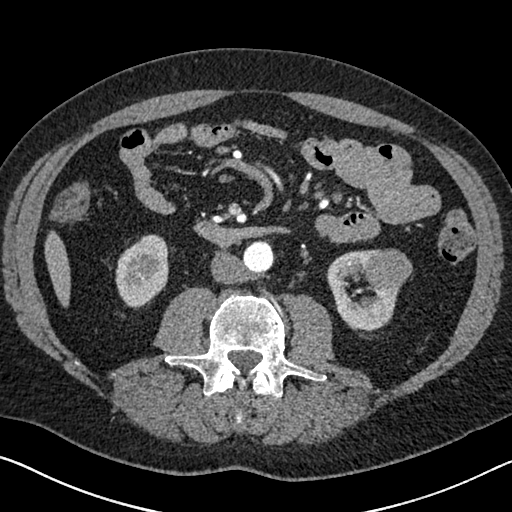
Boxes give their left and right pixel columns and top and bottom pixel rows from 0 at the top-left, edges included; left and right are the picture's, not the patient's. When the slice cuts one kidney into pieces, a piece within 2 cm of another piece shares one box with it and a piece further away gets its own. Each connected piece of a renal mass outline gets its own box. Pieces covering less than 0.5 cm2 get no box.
Arterial-phase contrast-enhanced abdominal CT, axial slice 319 of 626 (counted from the lowest slice); 1.00 mm thick, 0.703 mm per pixel. Two kidney boxes and one renal mass box on this slice; by box centre, from the image's left to its right: (1) Right kidney in the box with left 115, top 234, right 168, bottom 308 (outlined area 3,002 px, about 14.8 cm2). (2) Left kidney, the box with left 326, top 249, right 399, bottom 331 (outlined area 3,340 px, about 16.5 cm2). (3) Left renal mass, the box with left 365, top 248, right 412, bottom 290 (outlined area 1,610 px, about 8.0 cm2).
Acquired at 120 kVp and reconstructed with the I30f kernel.